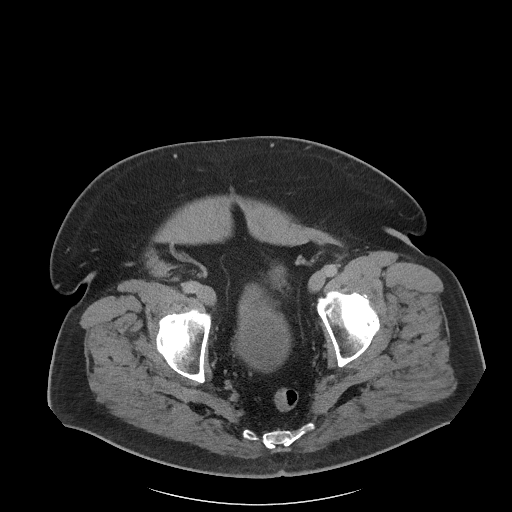
Abdominal CT with intravenous contrast, axial plane, 120 kVp, kernel I40f. Slice 25/102 from the bottom of the scan; thickness 5.00 mm; pixel size 0.977 mm.
Neither a kidney nor a renal mass is outlined here. Only kidneys and renal masses are outlined anywhere in this scan; other structures are never outlined.